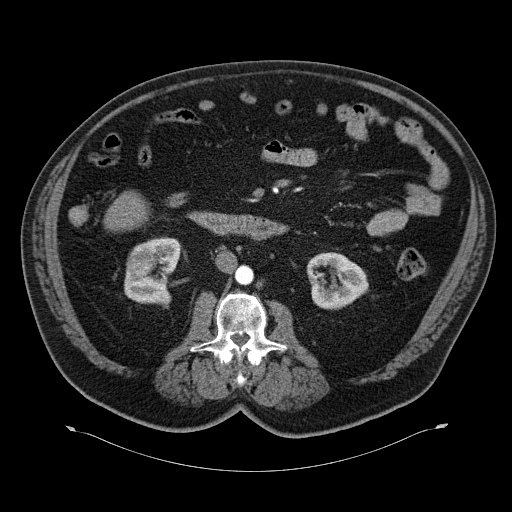
One axial slice (29 of 70, counting up from the lowest) of an arterial-phase abdominal CT acquired with 120 kVp, kernel B30f; each pixel is 0.977 mm and the slice is 5.00 mm thick.
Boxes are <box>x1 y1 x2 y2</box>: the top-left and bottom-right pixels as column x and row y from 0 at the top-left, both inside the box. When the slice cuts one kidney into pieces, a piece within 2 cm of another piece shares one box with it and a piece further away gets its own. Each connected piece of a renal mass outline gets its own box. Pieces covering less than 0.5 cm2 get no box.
Two kidney boxes and one renal mass box on this slice; by box centre, from the image's left to its right: (1) At <box>126 244 157 275</box>: right renal mass (outlined area 752 px, about 7.2 cm2). (2) Right kidney: <box>124 238 182 307</box> (outlined area 2,231 px, about 21.3 cm2). (3) Left kidney at <box>306 252 368 309</box> (outlined area 2,563 px, about 24.4 cm2).